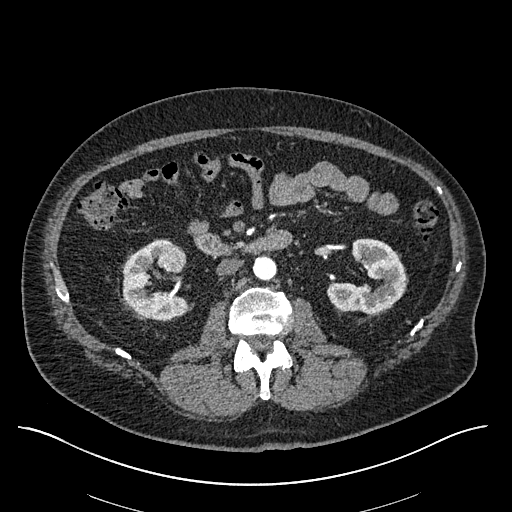
Axial slice 310 of 670 of a contrast-enhanced abdominal CT in the arterial phase (slice 1 is the lowest), 120 kVp, kernel I30f; 1.00 mm slice thickness and 0.861 mm pixels.
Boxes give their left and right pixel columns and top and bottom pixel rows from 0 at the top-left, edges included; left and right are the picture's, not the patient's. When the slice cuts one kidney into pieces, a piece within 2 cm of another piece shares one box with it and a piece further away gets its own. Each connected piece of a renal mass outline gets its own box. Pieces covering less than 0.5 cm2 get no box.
Three boxes on this slice (two kidney boxes and one renal mass box), listed by box centre from the image's left to its right. (1) Box with left 122, top 239, right 189, bottom 319: right kidney (outlined area 3,287 px, about 24.4 cm2). (2) Right renal mass, the box with left 157, top 243, right 187, bottom 272 (outlined area 712 px, about 5.3 cm2). (3) Left kidney in the box with left 327, top 238, right 406, bottom 314 (outlined area 3,767 px, about 27.9 cm2).